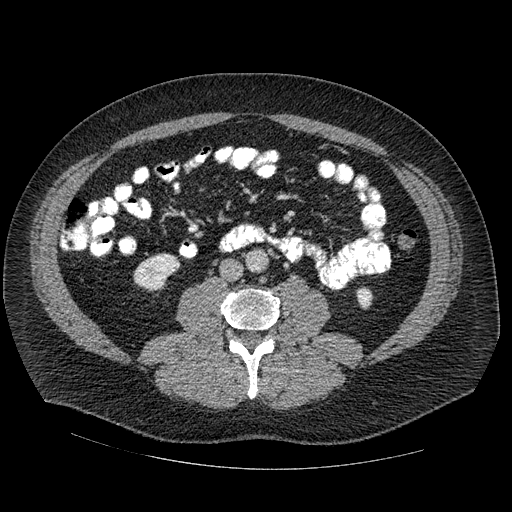
Abdominal CT with intravenous contrast, arterial phase, axial plane, 120 kVp, kernel STANDARD. Slice 232/445 from the bottom of the scan; thickness 1.25 mm; pixel size 0.863 mm.
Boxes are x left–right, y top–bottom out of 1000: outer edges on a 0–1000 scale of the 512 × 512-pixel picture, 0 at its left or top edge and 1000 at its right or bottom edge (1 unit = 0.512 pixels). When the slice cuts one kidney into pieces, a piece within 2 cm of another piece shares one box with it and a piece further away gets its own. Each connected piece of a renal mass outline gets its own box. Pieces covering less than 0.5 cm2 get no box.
Boxed on this slice (two kidney boxes), listed by box centre from the image's left to its right: (1) Right kidney at x 260–354, y 494–572 out of 1000 (outlined area 1,282 px, about 9.6 cm2). (2) Left kidney at x 697–730, y 561–605 out of 1000 (outlined area 299 px, about 2.2 cm2). No renal mass is outlined on this slice.